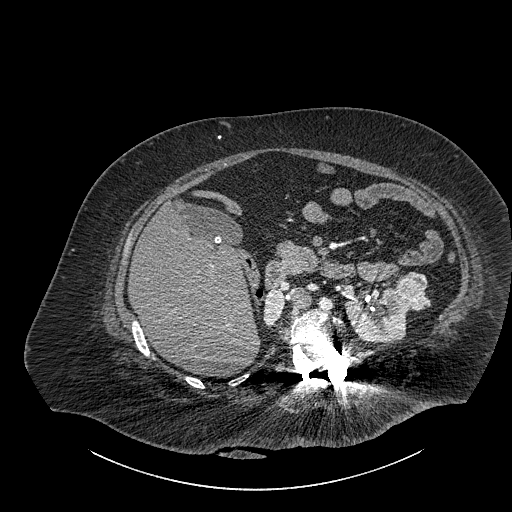
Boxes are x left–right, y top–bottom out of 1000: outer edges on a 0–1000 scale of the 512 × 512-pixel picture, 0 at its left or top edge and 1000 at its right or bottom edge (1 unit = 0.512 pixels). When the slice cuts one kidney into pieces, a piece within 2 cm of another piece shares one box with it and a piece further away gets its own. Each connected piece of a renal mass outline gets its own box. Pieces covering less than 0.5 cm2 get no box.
This is axial slice 560 of 834 (slice 1 is the lowest) of an abdominal CT with contrast; each pixel is 0.977 mm and the slice is 1.00 mm thick. Three boxes on this slice (two kidney boxes and one renal mass box), listed by box centre from the image's left to its right. (1) Box x 514–557, y 563–637 out of 1000: right part of the midline-crossing kidney (outlined area 637 px, about 6.1 cm2). (2) Left part of the midline-crossing kidney, box x 672–799, y 561–672 out of 1000 (outlined area 2,556 px, about 24.4 cm2). (3) Box x 771–840, y 529–607 out of 1000: renal mass (outlined area 1,051 px, about 10.0 cm2).
Scan settings: 140 kVp, I30f reconstruction kernel.